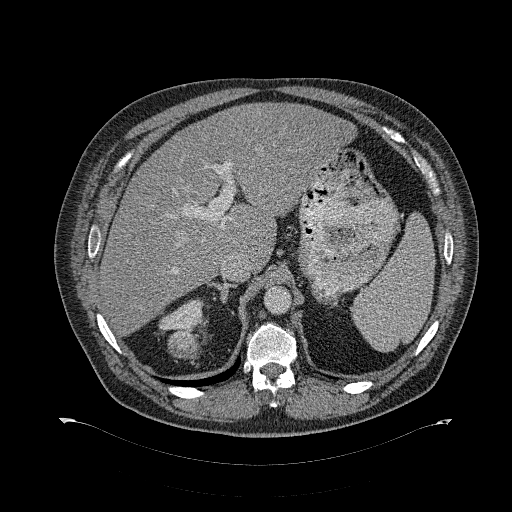
Contrast-enhanced abdominal CT, axial slice 224 of 274 (counted from the lowest slice); tube voltage 120 kVp, convolution kernel B31f; slices 2.00 mm thick, 0.977 mm per pixel.
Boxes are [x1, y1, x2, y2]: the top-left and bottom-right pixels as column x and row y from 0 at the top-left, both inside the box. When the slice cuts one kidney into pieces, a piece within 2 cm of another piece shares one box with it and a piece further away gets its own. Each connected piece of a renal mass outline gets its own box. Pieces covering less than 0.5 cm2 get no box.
Two boxes on this slice (one kidney box and one renal mass box), listed by box centre from the image's left to its right. (1) Right kidney at [158, 298, 204, 330] (outlined area 1,017 px, about 9.7 cm2). (2) Box [167, 330, 201, 359]: right renal mass (outlined area 800 px, about 7.6 cm2).